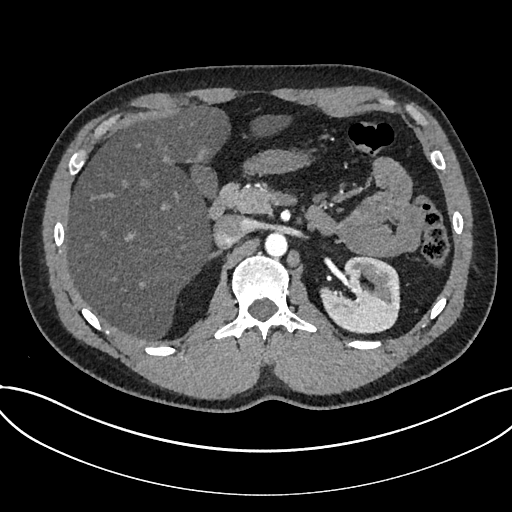
Axial slice 484 of 735 of a contrast-enhanced abdominal CT in the arterial phase (slice 1 is the lowest), 120 kVp, kernel I30f; 1.00 mm slice thickness and 0.789 mm pixels.
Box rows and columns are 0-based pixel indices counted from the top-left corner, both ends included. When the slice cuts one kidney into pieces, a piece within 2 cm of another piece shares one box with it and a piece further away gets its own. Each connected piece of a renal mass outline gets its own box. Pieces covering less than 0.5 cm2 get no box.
Kidney, box rows 254–334, columns 319–400 (outlined area 4,702 px, about 29.3 cm2). This slice carries no renal mass outline.